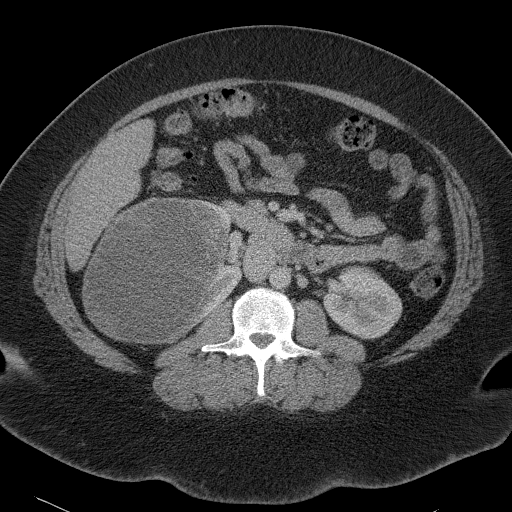
Abdominal CT with intravenous contrast, axial plane, 120 kVp, kernel B41f. Slice 57/90 from the bottom of the scan; thickness 5.00 mm; pixel size 0.781 mm.
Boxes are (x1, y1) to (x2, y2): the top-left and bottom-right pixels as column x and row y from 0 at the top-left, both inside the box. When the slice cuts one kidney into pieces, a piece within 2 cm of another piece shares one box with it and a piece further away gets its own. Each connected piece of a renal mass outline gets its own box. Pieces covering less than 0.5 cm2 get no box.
Three boxes on this slice (two kidney boxes and one renal mass box), listed by box centre from the image's left to its right. (1) Box (82, 197) to (225, 343): right renal mass (outlined area 16,125 px, about 98.4 cm2). (2) Right kidney, box (173, 201) to (243, 343) (outlined area 2,127 px, about 13.0 cm2). (3) Left kidney, box (322, 267) to (402, 339) (outlined area 4,140 px, about 25.3 cm2).